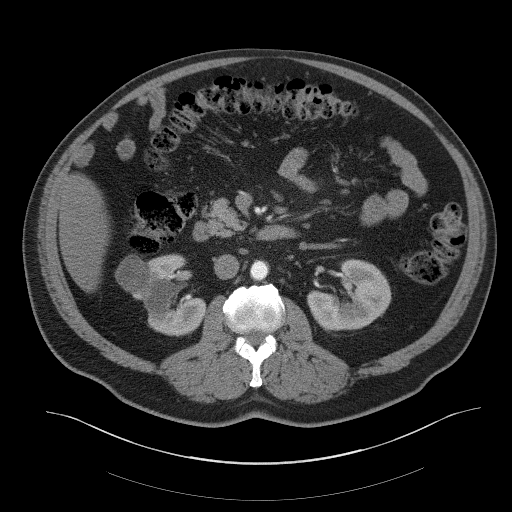
Abdominal CT with intravenous contrast, axial plane, 140 kVp, kernel B41f. Slice 24/61 from the bottom of the scan; thickness 3.00 mm; pixel size 0.939 mm.
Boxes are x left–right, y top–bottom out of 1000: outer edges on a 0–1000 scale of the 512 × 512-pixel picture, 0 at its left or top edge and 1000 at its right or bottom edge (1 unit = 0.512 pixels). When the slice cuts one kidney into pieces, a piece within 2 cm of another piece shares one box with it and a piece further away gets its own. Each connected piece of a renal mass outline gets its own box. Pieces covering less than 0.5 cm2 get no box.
Boxed on this slice (two kidney boxes and one renal mass box), listed by box centre from the image's left to its right: (1) Right renal mass at x 225–297, y 496–576 out of 1000 (outlined area 1,053 px, about 9.3 cm2). (2) Box x 258–404, y 496–658 out of 1000: right kidney (outlined area 3,693 px, about 32.6 cm2). (3) Left kidney, box x 600–766, y 506–648 out of 1000 (outlined area 4,177 px, about 36.9 cm2).